Axial slice 106 of 302 of a contrast-enhanced abdominal CT in the arterial phase (slice 1 is the lowest), 100 kVp, kernel I30f; 5.00 mm slice thickness and 0.875 mm pixels.
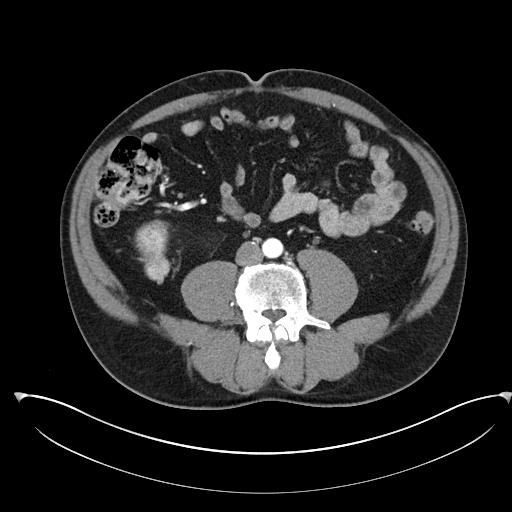
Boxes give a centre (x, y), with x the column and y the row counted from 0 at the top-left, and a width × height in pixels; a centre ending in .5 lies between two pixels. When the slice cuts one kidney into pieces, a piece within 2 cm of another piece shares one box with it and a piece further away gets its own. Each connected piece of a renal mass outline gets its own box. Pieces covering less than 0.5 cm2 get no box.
Right renal mass, box centre (151.5, 251.5), 36 × 66 pixels (outlined area 1,660 px, about 12.7 cm2); this slice has no kidney outline, though on another slice the same outlined renal mass lies within 1 cm of the kidney.